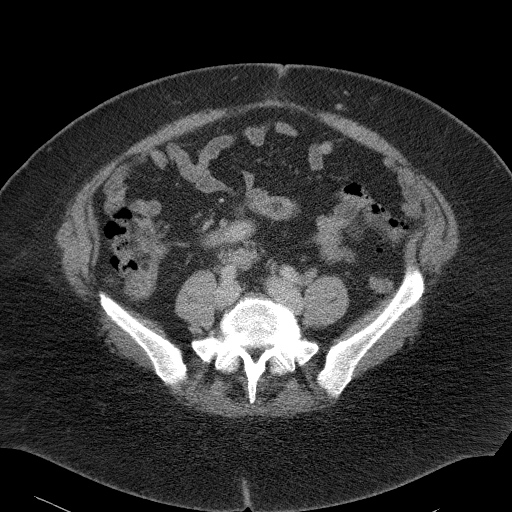
Abdominal CT with intravenous contrast, axial plane, 120 kVp, kernel B41f. Slice 40/90 from the bottom of the scan; thickness 5.00 mm; pixel size 0.781 mm.
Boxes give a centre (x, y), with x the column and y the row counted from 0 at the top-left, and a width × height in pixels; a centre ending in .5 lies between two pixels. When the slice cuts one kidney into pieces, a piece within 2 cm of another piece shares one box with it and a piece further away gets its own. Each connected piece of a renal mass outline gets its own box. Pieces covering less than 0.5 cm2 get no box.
Box centre (227.5, 233), 54 × 33 pixels: right kidney (outlined area 1,013 px, about 6.2 cm2). No renal mass outline on this slice.